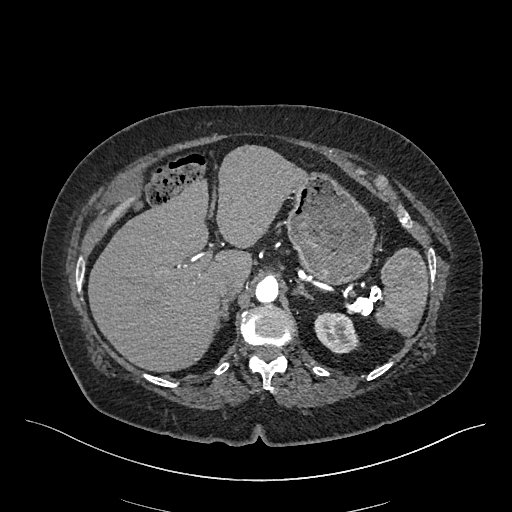
Abdominal CT with intravenous contrast, arterial phase, axial plane, 120 kVp, kernel I26f. Slice 352/548 from the bottom of the scan; thickness 1.00 mm; pixel size 0.852 mm.
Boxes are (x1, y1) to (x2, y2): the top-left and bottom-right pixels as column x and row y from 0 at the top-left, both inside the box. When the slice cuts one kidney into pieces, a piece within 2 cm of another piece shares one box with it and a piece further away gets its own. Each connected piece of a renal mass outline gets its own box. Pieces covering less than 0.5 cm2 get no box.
Left kidney, box (314, 312) to (359, 353) (outlined area 1,445 px, about 10.5 cm2). No renal mass is outlined on this slice.